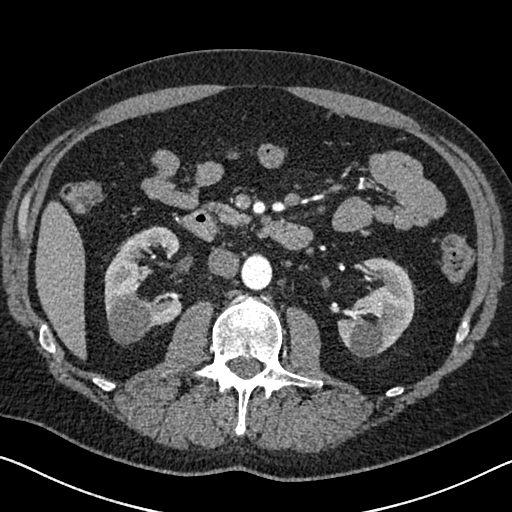
Axial slice 371 of 626 of a contrast-enhanced abdominal CT in the arterial phase (slice 1 is the lowest), 120 kVp, kernel I30f; 1.00 mm slice thickness and 0.703 mm pixels.
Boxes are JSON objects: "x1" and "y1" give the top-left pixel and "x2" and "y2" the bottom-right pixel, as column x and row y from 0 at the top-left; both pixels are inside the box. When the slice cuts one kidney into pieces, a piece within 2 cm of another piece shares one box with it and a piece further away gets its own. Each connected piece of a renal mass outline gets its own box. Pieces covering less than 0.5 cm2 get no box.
Two kidney boxes on this slice; by box centre, from the image's left to its right: (1) Right kidney, box {"x1": 104, "y1": 226, "x2": 182, "y2": 345} (outlined area 5,948 px, about 29.4 cm2). (2) Box {"x1": 337, "y1": 257, "x2": 414, "y2": 357}: left kidney (outlined area 5,074 px, about 25.1 cm2). This slice carries no renal mass outline.